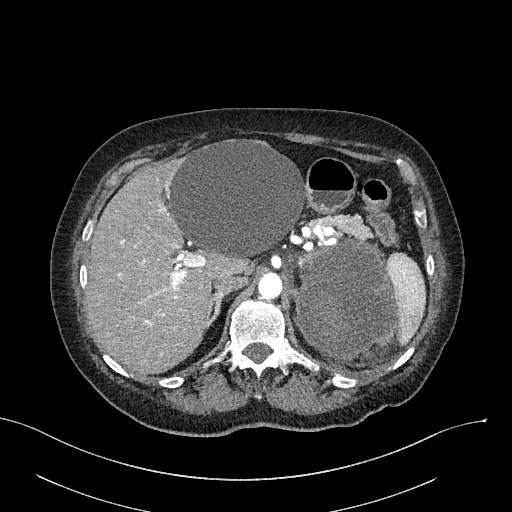
Abdominal CT with intravenous contrast, arterial phase, axial plane, 100 kVp, kernel I40f. Slice 194/316 from the bottom of the scan; thickness 2.00 mm; pixel size 0.840 mm.
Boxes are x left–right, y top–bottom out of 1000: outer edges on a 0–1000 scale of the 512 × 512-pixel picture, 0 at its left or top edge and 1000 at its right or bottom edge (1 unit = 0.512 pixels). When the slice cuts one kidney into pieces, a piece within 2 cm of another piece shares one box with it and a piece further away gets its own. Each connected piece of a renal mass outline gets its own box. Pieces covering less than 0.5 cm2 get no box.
Box x 576–775, y 463–709 out of 1000: left renal mass (outlined area 9,950 px, about 70.2 cm2); this slice has no kidney outline, though on another slice the same outlined renal mass lies within 1 cm of the kidney.